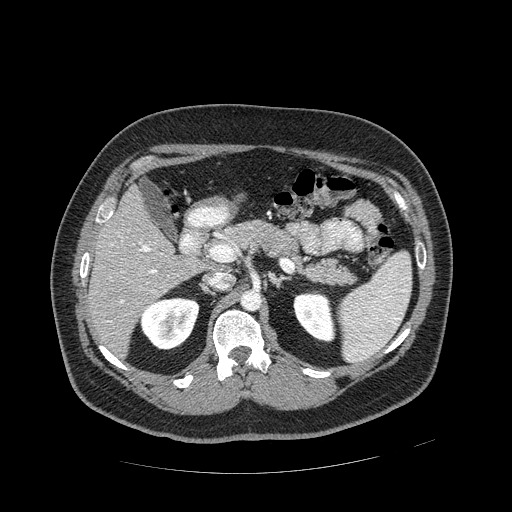
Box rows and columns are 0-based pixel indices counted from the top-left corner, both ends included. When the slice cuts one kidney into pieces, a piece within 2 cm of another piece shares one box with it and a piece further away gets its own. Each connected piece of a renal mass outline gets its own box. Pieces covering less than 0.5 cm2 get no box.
This is axial slice 281 of 389 (slice 1 is the lowest) of an arterial-phase abdominal CT with contrast; each pixel is 0.869 mm and the slice is 1.25 mm thick. Boxed on this slice (two kidney boxes), listed by box centre from the image's left to its right: (1) Right kidney at rows 297–349, columns 139–199 (outlined area 2,412 px, about 18.2 cm2). (2) Left kidney, box rows 293–341, columns 293–335 (outlined area 1,557 px, about 11.8 cm2). This slice carries no renal mass outline.
Tube voltage 120 kVp; convolution kernel STANDARD.